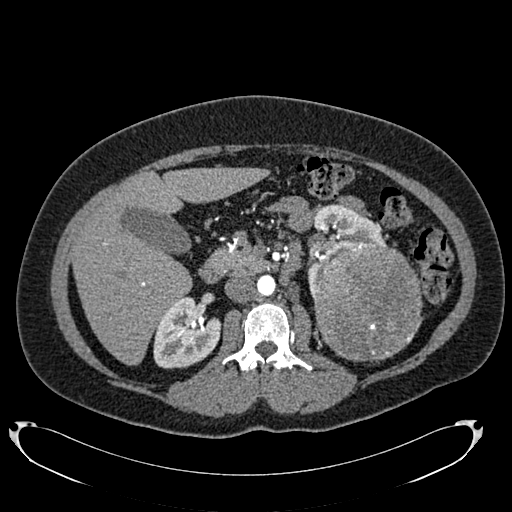
One axial slice (439 of 634, counting up from the lowest) of an arterial-phase abdominal CT acquired with 120 kVp, kernel B20f; each pixel is 0.838 mm and the slice is 1.00 mm thick.
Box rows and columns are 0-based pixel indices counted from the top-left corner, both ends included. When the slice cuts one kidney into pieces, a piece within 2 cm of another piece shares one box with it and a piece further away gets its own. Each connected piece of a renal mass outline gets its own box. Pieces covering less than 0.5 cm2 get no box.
Two kidney boxes and one renal mass box on this slice; by box centre, from the image's left to its right: (1) Right kidney at rows 296–368, columns 153–220 (outlined area 3,574 px, about 25.1 cm2). (2) Box rows 204–297, columns 306–385: left kidney (outlined area 3,019 px, about 21.2 cm2). (3) Left renal mass at rows 243–361, columns 313–422 (outlined area 10,499 px, about 73.7 cm2).